One axial slice (352 of 602, counting up from the lowest) of an arterial-phase abdominal CT acquired with 120 kVp, kernel I30f; each pixel is 0.799 mm and the slice is 1.00 mm thick.
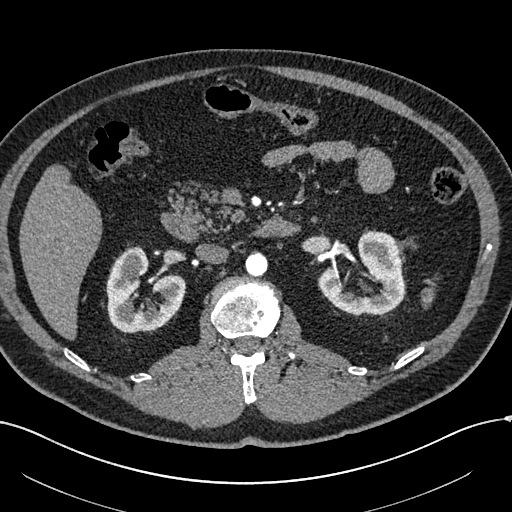
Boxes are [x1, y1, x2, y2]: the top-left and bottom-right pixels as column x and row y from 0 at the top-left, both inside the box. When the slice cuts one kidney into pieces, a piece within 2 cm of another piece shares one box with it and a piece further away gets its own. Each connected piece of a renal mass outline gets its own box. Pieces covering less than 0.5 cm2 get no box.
Two kidney boxes and one renal mass box on this slice; by box centre, from the image's left to its right: (1) Box [122, 256, 137, 274]: right renal mass (outlined area 232 px, about 1.5 cm2). (2) Box [106, 245, 185, 333]: right kidney (outlined area 4,319 px, about 27.6 cm2). (3) Left kidney at [318, 231, 405, 314] (outlined area 4,644 px, about 29.6 cm2).